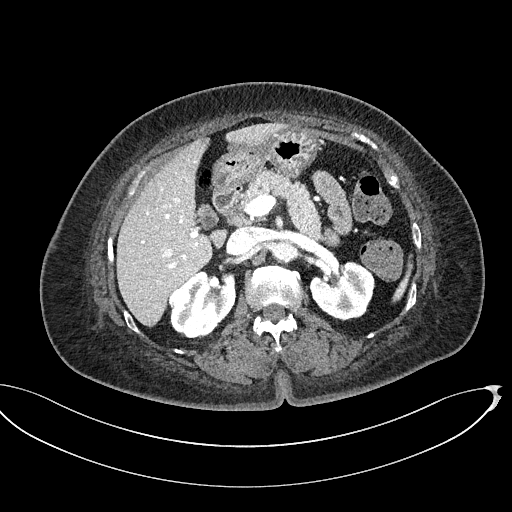
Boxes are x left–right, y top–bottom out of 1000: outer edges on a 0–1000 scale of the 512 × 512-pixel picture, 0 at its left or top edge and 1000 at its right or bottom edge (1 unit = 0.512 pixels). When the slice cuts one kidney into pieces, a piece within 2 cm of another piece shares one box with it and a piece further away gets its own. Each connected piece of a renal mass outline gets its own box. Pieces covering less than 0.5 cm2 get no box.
This is axial slice 321 of 439 (slice 1 is the lowest) of an abdominal CT with contrast; each pixel is 0.850 mm and the slice is 2.00 mm thick. Boxed on this slice (two kidney boxes and one renal mass box), listed by box centre from the image's left to its right: (1) Right renal mass at x 330–371, y 559–607 out of 1000 (outlined area 372 px, about 2.7 cm2). (2) Right kidney at x 332–461, y 529–662 out of 1000 (outlined area 3,020 px, about 21.8 cm2). (3) Box x 605–732, y 510–627 out of 1000: left kidney (outlined area 2,839 px, about 20.5 cm2).
Tube voltage 100 kVp; convolution kernel I40f.